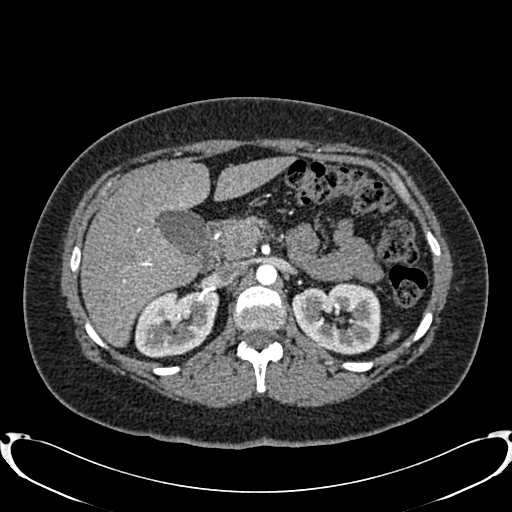
One axial slice (531 of 719, counting up from the lowest) of an arterial-phase abdominal CT acquired with 120 kVp, kernel B20f; each pixel is 0.766 mm and the slice is 1.00 mm thick.
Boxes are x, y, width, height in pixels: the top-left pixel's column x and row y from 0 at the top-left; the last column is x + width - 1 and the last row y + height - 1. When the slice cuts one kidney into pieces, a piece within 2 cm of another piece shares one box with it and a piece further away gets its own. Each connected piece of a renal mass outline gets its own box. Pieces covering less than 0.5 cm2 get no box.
Two kidney boxes on this slice; by box centre, from the image's left to its right: (1) Right kidney at x 134, y 288, width 86, height 70 (outlined area 4,536 px, about 26.6 cm2). (2) Left kidney, box x 291, y 283, width 91, height 72 (outlined area 4,875 px, about 28.6 cm2). This slice carries no renal mass outline.